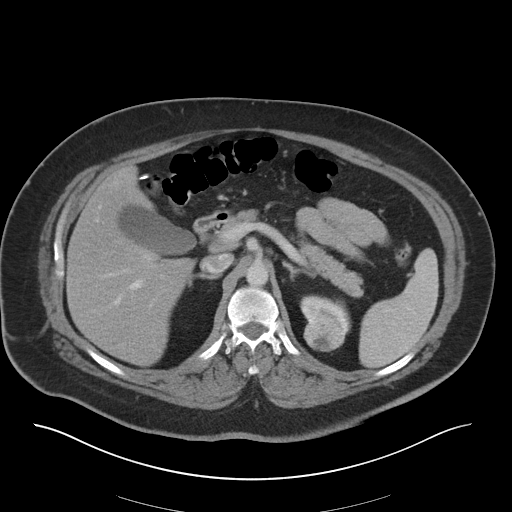
Arterial-phase contrast-enhanced abdominal CT, axial slice 26 of 36 (counted from the lowest slice); tube voltage 140 kVp, convolution kernel I30f; slices 5.00 mm thick, 0.906 mm per pixel.
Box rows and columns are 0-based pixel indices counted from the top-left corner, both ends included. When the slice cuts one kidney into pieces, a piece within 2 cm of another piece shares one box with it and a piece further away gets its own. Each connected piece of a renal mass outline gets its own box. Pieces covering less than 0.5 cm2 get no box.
Two boxes on this slice (one kidney box and one renal mass box), listed by box centre from the image's left to its right. (1) Left renal mass, box rows 308–351, columns 303–347 (outlined area 1,340 px, about 11.0 cm2). (2) Left kidney at rows 294–332, columns 300–351 (outlined area 952 px, about 7.8 cm2).